Arterial-phase contrast-enhanced abdominal CT, axial slice 431 of 738 (counted from the lowest slice); tube voltage 120 kVp, convolution kernel I30f; slices 1.00 mm thick, 0.789 mm per pixel.
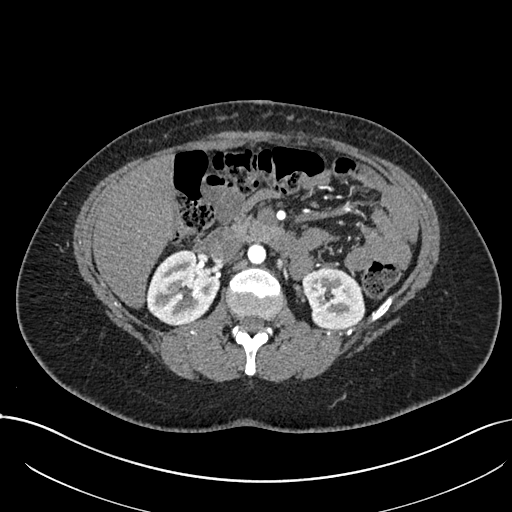
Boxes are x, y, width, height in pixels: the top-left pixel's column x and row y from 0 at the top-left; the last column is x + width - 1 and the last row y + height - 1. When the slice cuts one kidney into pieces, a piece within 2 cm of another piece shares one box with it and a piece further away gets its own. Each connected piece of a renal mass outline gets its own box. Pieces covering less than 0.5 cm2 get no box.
Boxed on this slice (two kidney boxes), listed by box centre from the image's left to its right: (1) Right kidney, box x 145, y 249, width 76, height 76 (outlined area 4,100 px, about 25.5 cm2). (2) Box x 302, y 267, width 64, height 62: left kidney (outlined area 3,042 px, about 18.9 cm2). No renal mass is outlined on this slice.